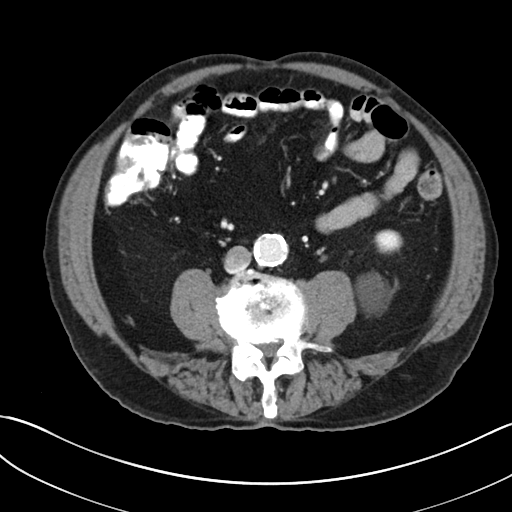
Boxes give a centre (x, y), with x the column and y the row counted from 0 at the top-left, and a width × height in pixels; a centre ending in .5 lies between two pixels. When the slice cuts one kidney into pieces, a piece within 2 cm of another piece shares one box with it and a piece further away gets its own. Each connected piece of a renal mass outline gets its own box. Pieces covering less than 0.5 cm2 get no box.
Slice 102/269 of a contrast-enhanced abdominal CT, counting up from the lowest; pixel size 0.732 mm, slice thickness 5.00 mm. Box centre (379, 271), 47 × 85 pixels: left kidney (outlined area 1,694 px, about 9.1 cm2). No renal mass outline on this slice.
Acquired at 100 kVp and reconstructed with the I30f kernel.